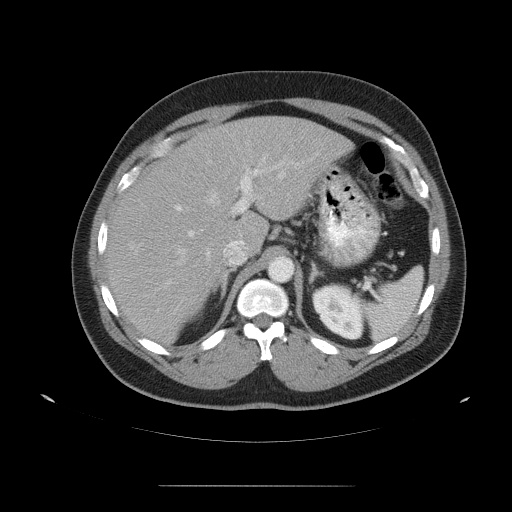
Contrast-enhanced abdominal CT, axial slice 80 of 99 (counted from the lowest slice); tube voltage 120 kVp, convolution kernel STANDARD; slices 5.00 mm thick, 0.938 mm per pixel.
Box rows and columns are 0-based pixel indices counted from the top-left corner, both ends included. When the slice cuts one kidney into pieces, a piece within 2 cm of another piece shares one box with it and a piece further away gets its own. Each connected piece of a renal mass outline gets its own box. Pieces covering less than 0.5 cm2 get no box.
Box rows 282–340, columns 311–366: left kidney (outlined area 2,362 px, about 20.8 cm2). No renal mass is outlined on this slice.